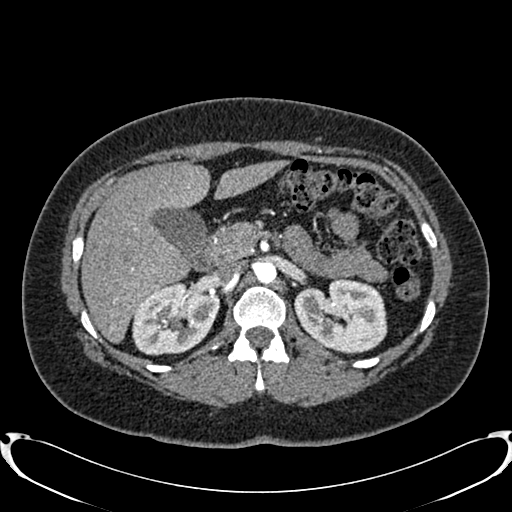
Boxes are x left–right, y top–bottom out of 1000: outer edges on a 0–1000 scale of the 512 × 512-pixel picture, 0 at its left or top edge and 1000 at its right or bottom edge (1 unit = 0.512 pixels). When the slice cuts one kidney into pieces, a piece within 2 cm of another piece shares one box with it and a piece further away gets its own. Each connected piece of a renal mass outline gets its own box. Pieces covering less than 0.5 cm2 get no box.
Slice 520/719 of a contrast-enhanced abdominal CT in the arterial phase, counting up from the lowest; pixel size 0.766 mm, slice thickness 1.00 mm. Two boxes on this slice (two kidney boxes), listed by box centre from the image's left to its right. (1) Box x 258–430, y 551–695 out of 1000: right kidney (outlined area 4,853 px, about 28.4 cm2). (2) Box x 574–758, y 541–693 out of 1000: left kidney (outlined area 5,371 px, about 31.5 cm2). This slice carries no renal mass outline.
Tube voltage 120 kVp; convolution kernel B20f.